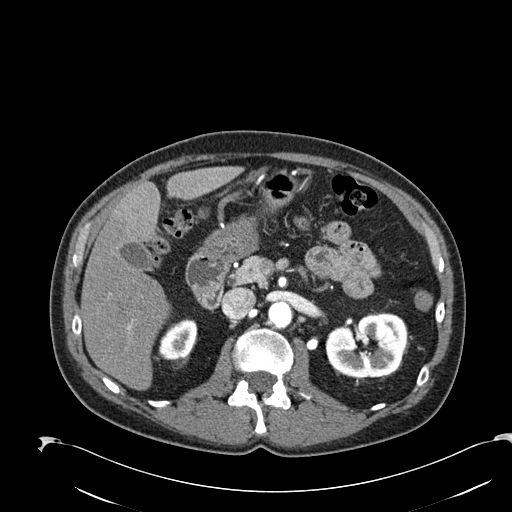
One axial slice (135 of 274, counting up from the lowest) of an arterial-phase abdominal CT acquired with 120 kVp, kernel B30f; each pixel is 0.809 mm and the slice is 2.00 mm thick.
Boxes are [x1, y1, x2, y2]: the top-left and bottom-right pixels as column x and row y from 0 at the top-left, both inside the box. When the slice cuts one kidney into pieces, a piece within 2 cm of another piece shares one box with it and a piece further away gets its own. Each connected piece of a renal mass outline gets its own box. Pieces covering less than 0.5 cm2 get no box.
Two boxes on this slice (two kidney boxes), listed by box centre from the image's left to its right. (1) Right kidney at [158, 318, 197, 359] (outlined area 1,212 px, about 7.9 cm2). (2) Left kidney at [325, 312, 407, 378] (outlined area 4,225 px, about 27.6 cm2). No renal mass is outlined on this slice.